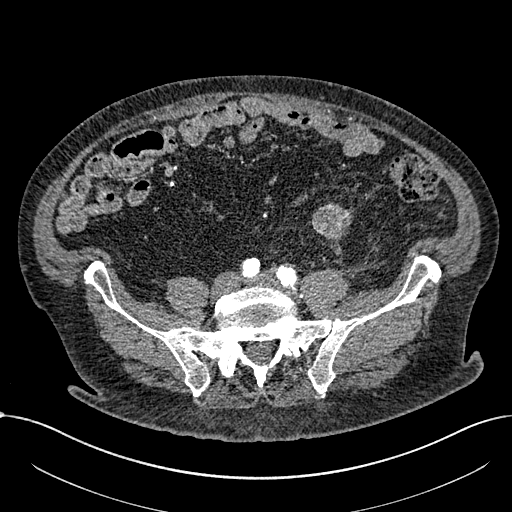
Axial slice 162 of 1059 of a contrast-enhanced abdominal CT in the arterial phase (slice 1 is the lowest), 100 kVp, kernel I30f; 1.00 mm slice thickness and 0.811 mm pixels.
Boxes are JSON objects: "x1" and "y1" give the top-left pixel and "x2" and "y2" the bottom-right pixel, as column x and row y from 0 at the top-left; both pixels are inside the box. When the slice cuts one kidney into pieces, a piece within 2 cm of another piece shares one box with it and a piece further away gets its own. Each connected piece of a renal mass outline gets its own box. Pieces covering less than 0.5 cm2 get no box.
Renal mass, box {"x1": 311, "y1": 203, "x2": 352, "y2": 245} (outlined area 1,177 px, about 7.7 cm2); no kidney is outlined on this slice, but the same outlined renal mass comes within 1 cm of the kidney on another slice.